One axial slice (601 of 834, counting up from the lowest) of a contrast-enhanced abdominal CT acquired with 140 kVp, kernel I30f; each pixel is 0.977 mm and the slice is 1.00 mm thick.
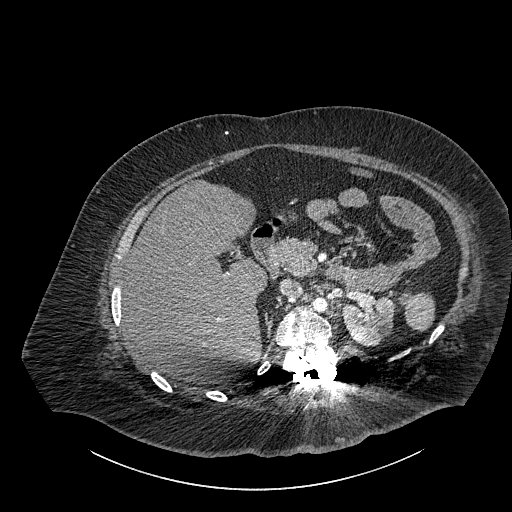
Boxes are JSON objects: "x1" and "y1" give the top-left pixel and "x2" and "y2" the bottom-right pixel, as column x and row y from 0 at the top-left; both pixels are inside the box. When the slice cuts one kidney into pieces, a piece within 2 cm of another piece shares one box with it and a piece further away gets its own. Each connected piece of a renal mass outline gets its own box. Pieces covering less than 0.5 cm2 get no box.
Left part of the midline-crossing kidney, box {"x1": 342, "y1": 296, "x2": 394, "y2": 346} (outlined area 2,029 px, about 19.4 cm2). This slice carries no renal mass outline.